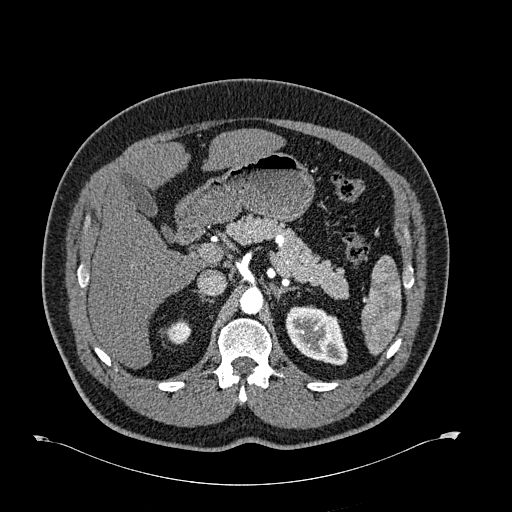
Arterial-phase contrast-enhanced abdominal CT, axial slice 454 of 723 (counted from the lowest slice); tube voltage 120 kVp, convolution kernel B30f; slices 1.00 mm thick, 0.895 mm per pixel.
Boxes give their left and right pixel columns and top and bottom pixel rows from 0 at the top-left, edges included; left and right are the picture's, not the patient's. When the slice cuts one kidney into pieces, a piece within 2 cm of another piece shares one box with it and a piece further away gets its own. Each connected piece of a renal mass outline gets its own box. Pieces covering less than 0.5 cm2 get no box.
Boxed on this slice (two kidney boxes), listed by box centre from the image's left to its right: (1) Right kidney in the box with left 165, top 320, right 190, bottom 343 (outlined area 441 px, about 3.5 cm2). (2) Left kidney, the box with left 285, top 305, right 347, bottom 365 (outlined area 2,717 px, about 21.7 cm2). No renal mass is outlined on this slice.